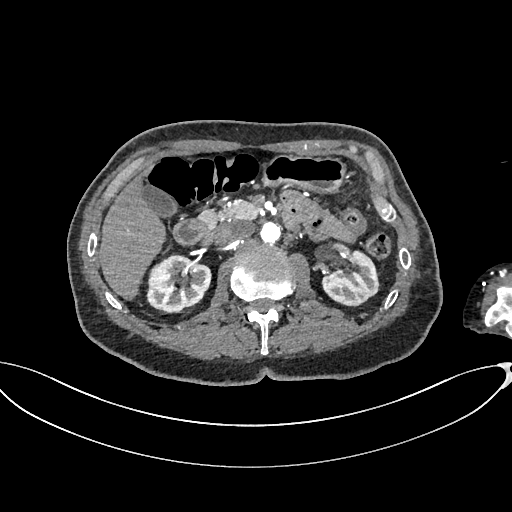
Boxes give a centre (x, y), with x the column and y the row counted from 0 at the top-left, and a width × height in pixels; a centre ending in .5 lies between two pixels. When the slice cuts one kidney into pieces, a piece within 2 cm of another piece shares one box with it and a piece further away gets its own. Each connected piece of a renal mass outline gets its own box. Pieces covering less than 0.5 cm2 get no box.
Arterial-phase contrast-enhanced abdominal CT, axial slice 412 of 665 (counted from the lowest slice); 1.00 mm thick, 0.828 mm per pixel. Two kidney boxes on this slice; by box centre, from the image's left to its right: (1) Right kidney in a box with centre (178.5, 283.5), 66 × 60 pixels (outlined area 2,971 px, about 20.4 cm2). (2) Left kidney, box centre (350, 278), 59 × 57 pixels (outlined area 2,336 px, about 16.0 cm2). This slice carries no renal mass outline.
Acquired at 100 kVp and reconstructed with the I26f kernel.